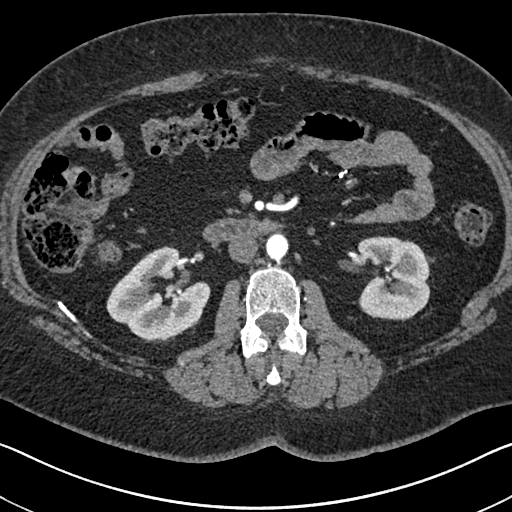
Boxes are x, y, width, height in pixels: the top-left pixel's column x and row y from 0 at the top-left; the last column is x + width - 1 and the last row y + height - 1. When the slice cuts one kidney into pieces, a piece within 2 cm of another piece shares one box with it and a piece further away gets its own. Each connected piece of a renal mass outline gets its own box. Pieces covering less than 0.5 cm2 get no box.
Arterial-phase contrast-enhanced abdominal CT, axial slice 378 of 591 (counted from the lowest slice); 1.00 mm thick, 0.703 mm per pixel. Two boxes on this slice (two kidney boxes), listed by box centre from the image's left to its right. (1) Right kidney, box x 106, y 246, width 105, height 93 (outlined area 6,267 px, about 31.0 cm2). (2) Left kidney at x 357, y 236, width 74, height 86 (outlined area 5,041 px, about 24.9 cm2). No renal mass is outlined on this slice.
Acquired at 140 kVp and reconstructed with the I30f kernel.